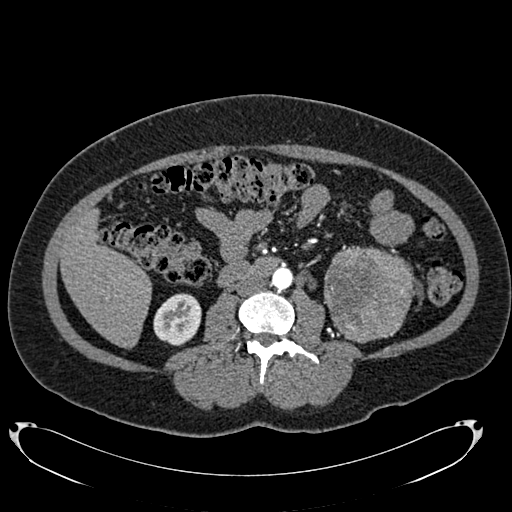
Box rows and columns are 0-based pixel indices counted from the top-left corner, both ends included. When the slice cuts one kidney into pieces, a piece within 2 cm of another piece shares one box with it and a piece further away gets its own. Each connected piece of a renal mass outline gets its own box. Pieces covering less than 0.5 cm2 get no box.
Arterial-phase contrast-enhanced abdominal CT, axial slice 355 of 634 (counted from the lowest slice); 1.00 mm thick, 0.838 mm per pixel. Two boxes on this slice (one kidney box and one renal mass box), listed by box centre from the image's left to its right. (1) Right kidney at rows 293–345, columns 153–201 (outlined area 1,962 px, about 13.8 cm2). (2) Box rows 245–343, columns 324–414: left renal mass (outlined area 6,952 px, about 48.8 cm2); it sits over 1 cm from every kidney outline on this slice, but the same outlined renal mass comes within 1 cm of the kidney on another slice.
Tube voltage 120 kVp; convolution kernel B20f.